Axial slice 290 of 470 of a contrast-enhanced abdominal CT (slice 1 is the lowest), 100 kVp, kernel I40f; 2.00 mm slice thickness and 0.824 mm pixels.
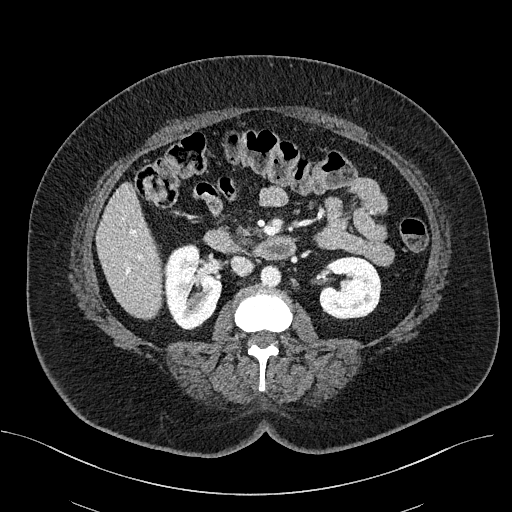
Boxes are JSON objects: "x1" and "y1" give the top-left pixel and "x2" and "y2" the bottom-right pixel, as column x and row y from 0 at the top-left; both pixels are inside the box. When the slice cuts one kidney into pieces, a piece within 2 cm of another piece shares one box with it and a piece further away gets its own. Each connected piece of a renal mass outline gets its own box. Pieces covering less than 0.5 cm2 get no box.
Two kidney boxes on this slice; by box centre, from the image's left to its right: (1) Box {"x1": 163, "y1": 244, "x2": 221, "y2": 330}: right kidney (outlined area 3,736 px, about 25.4 cm2). (2) Left kidney, box {"x1": 318, "y1": 256, "x2": 381, "y2": 319} (outlined area 3,170 px, about 21.5 cm2). This slice carries no renal mass outline.